One axial slice (61 of 270, counting up from the lowest) of an arterial-phase abdominal CT acquired with 100 kVp, kernel I40f; each pixel is 0.855 mm and the slice is 2.00 mm thick.
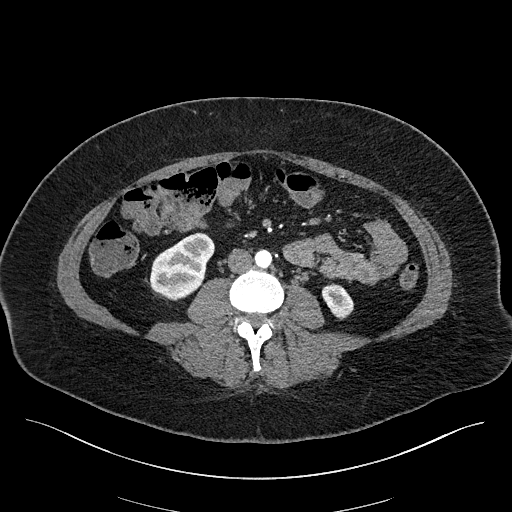
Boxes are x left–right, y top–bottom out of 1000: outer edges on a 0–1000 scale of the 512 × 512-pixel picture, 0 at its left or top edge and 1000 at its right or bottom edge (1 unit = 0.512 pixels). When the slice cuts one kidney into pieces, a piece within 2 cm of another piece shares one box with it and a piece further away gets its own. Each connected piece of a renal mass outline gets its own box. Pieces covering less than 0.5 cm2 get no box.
Boxed on this slice (two kidney boxes), listed by box centre from the image's left to its right: (1) Box x 291–420, y 453–588 out of 1000: right kidney (outlined area 3,043 px, about 22.3 cm2). (2) Box x 627–691, y 555–625 out of 1000: left kidney (outlined area 805 px, about 5.9 cm2). No renal mass outline on this slice.